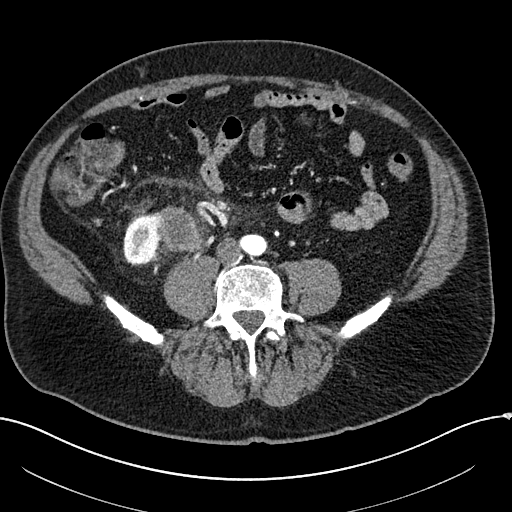
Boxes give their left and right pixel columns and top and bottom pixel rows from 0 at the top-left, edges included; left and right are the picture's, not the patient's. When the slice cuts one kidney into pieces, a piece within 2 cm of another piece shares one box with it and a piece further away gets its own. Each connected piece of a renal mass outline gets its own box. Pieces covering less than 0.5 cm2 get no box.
Arterial-phase contrast-enhanced abdominal CT, axial slice 31 of 304 (counted from the lowest slice); 2.00 mm thick, 0.809 mm per pixel. Boxed on this slice (one kidney box and one renal mass box), listed by box centre from the image's left to its right: (1) Box with left 123, top 213, right 165, bottom 265: right kidney (outlined area 1,534 px, about 10.0 cm2). (2) Box with left 153, top 206, right 205, bottom 251: right renal mass (outlined area 1,832 px, about 12.0 cm2).
Tube voltage 100 kVp; convolution kernel I30f.